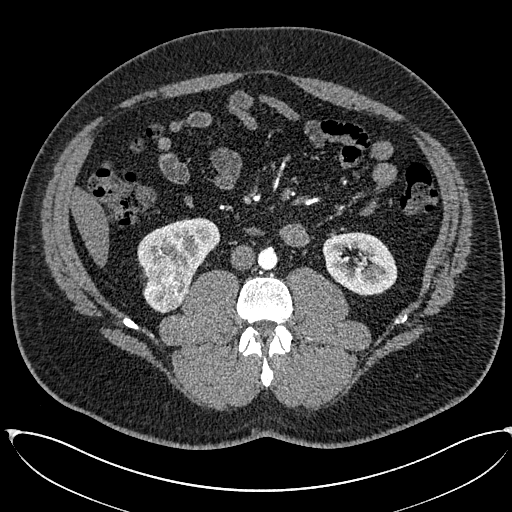
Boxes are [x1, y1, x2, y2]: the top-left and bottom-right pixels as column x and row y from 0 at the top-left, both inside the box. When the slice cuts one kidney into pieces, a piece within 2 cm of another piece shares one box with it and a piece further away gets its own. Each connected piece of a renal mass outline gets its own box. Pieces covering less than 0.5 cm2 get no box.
Slice 280/673 of a contrast-enhanced abdominal CT in the arterial phase, counting up from the lowest; pixel size 0.855 mm, slice thickness 1.00 mm. Two kidney boxes and one renal mass box on this slice; by box centre, from the image's left to its right: (1) Box [143, 261, 191, 312]: right renal mass (outlined area 1,886 px, about 13.8 cm2). (2) Right kidney at [137, 218, 219, 278] (outlined area 3,251 px, about 23.8 cm2). (3) Box [322, 232, 396, 296]: left kidney (outlined area 3,581 px, about 26.2 cm2).
Scan settings: 120 kVp, I30f reconstruction kernel.